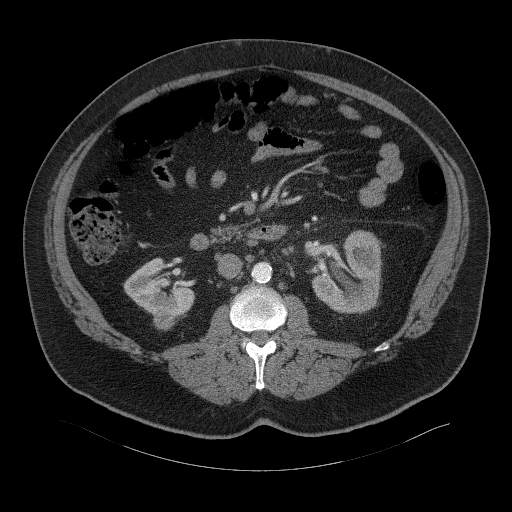
Contrast-enhanced abdominal CT, axial slice 25 of 94 (counted from the lowest slice); tube voltage 120 kVp, convolution kernel B41f; slices 3.00 mm thick, 0.977 mm per pixel.
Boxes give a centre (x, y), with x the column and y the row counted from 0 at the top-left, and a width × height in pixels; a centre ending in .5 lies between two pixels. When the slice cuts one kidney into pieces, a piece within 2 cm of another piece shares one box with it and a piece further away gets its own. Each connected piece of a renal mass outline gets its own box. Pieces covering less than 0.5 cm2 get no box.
Boxed on this slice (two kidney boxes and one renal mass box), listed by box centre from the image's left to its right: (1) Right kidney in a box with centre (159, 289), 71 × 63 pixels (outlined area 2,599 px, about 24.8 cm2). (2) Right renal mass in a box with centre (164.5, 319.5), 22 × 20 pixels (outlined area 333 px, about 3.2 cm2). (3) Left kidney in a box with centre (346.5, 271.5), 72 × 84 pixels (outlined area 4,246 px, about 40.5 cm2).